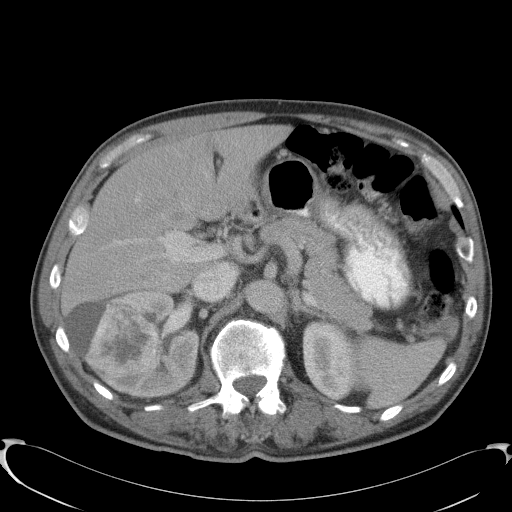
Axial slice 71 of 91 of a contrast-enhanced abdominal CT (slice 1 is the lowest), 120 kVp, kernel B41f; 5.00 mm slice thickness and 0.762 mm pixels.
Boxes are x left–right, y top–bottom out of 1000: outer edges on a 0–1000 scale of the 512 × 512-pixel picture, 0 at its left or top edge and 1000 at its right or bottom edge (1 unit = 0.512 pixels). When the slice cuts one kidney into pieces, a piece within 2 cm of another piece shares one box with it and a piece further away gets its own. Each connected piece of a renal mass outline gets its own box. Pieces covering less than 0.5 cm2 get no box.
Three boxes on this slice (two kidney boxes and one renal mass box), listed by box centre from the image's left to its right. (1) Right renal mass, box x 166–318, y 588–736 out of 1000 (outlined area 4,224 px, about 24.5 cm2). (2) Right kidney, box x 121–391, y 566–777 out of 1000 (outlined area 6,748 px, about 39.2 cm2). (3) Left kidney, box x 590–695, y 623–783 out of 1000 (outlined area 3,470 px, about 20.1 cm2).